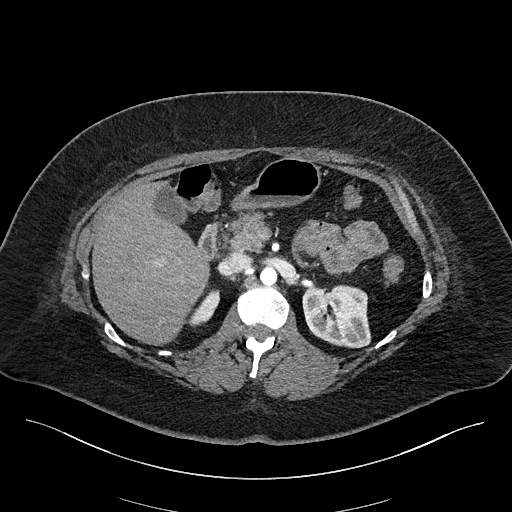
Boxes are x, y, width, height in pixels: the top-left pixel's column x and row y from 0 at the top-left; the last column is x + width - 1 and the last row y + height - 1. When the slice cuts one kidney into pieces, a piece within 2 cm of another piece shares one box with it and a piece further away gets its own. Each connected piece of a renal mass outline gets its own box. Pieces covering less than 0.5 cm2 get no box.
This is axial slice 129 of 270 (slice 1 is the lowest) of an arterial-phase abdominal CT with contrast; each pixel is 0.855 mm and the slice is 2.00 mm thick. Two boxes on this slice (two kidney boxes), listed by box centre from the image's left to its right. (1) Right kidney, box x 187, y 289, width 33, height 38 (outlined area 634 px, about 4.6 cm2). (2) Left kidney at x 302, y 285, width 70, height 64 (outlined area 3,523 px, about 25.8 cm2). This slice carries no renal mass outline.
Tube voltage 100 kVp; convolution kernel I40f.